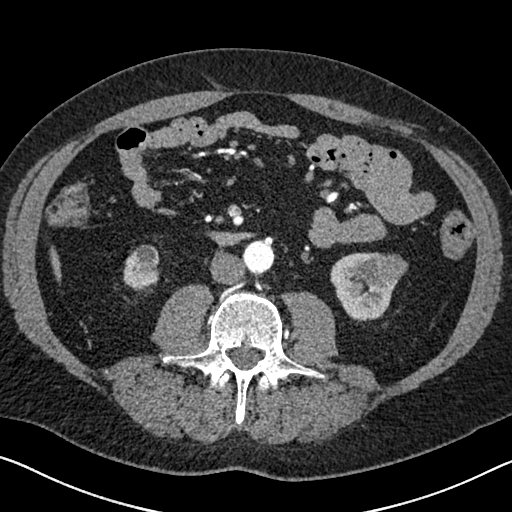
Abdominal CT with intravenous contrast, arterial phase, axial plane, 120 kVp, kernel I30f. Slice 306/626 from the bottom of the scan; thickness 1.00 mm; pixel size 0.703 mm.
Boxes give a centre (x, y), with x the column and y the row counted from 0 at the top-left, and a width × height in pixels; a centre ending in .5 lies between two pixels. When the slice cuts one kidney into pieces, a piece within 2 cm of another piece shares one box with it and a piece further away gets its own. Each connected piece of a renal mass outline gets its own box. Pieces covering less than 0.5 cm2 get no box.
Three boxes on this slice (two kidney boxes and one renal mass box), listed by box centre from the image's left to its right. (1) Box centre (141, 268), 37 × 47 pixels: right kidney (outlined area 1,340 px, about 6.6 cm2). (2) Box centre (363, 286), 67 × 69 pixels: left kidney (outlined area 2,559 px, about 12.7 cm2). (3) Box centre (381.5, 269), 52 × 35 pixels: left renal mass (outlined area 1,286 px, about 6.4 cm2).